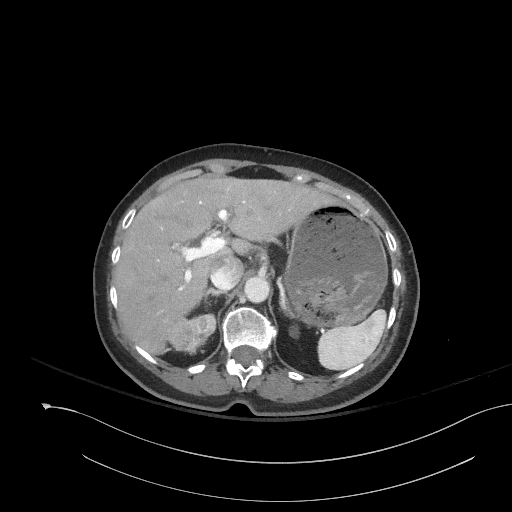
One axial slice (118 of 153, counting up from the lowest) of a contrast-enhanced abdominal CT acquired with 120 kVp, kernel I41f; each pixel is 0.893 mm and the slice is 3.00 mm thick.
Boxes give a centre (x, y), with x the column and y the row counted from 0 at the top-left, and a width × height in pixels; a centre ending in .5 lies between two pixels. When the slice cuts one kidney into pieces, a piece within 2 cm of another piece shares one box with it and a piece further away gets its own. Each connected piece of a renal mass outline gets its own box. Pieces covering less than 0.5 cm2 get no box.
One kidney box and one renal mass box on this slice; by box centre, from the image's left to its right: (1) Right renal mass, box centre (190.5, 334), 50 × 41 pixels (outlined area 1,285 px, about 10.2 cm2); on this slice it lies more than 1 cm from any kidney outline, but the same outlined renal mass comes within 1 cm of the kidney on another slice. (2) Box centre (294, 330.5), 11 × 14 pixels: left kidney (outlined area 113 px, about 0.9 cm2).